Abdominal CT with intravenous contrast, axial plane, 100 kVp, kernel I40f. Slice 261/470 from the bottom of the scan; thickness 2.00 mm; pixel size 0.824 mm.
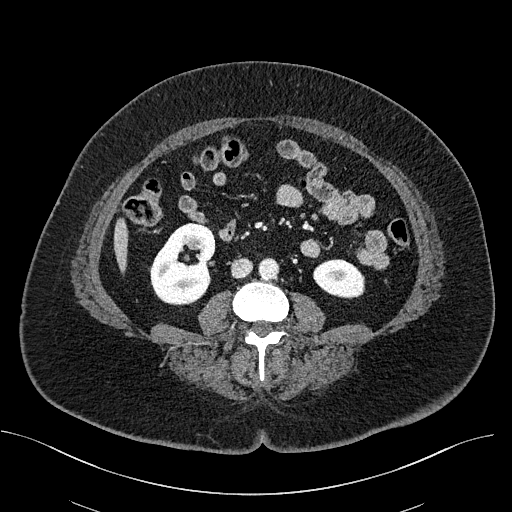
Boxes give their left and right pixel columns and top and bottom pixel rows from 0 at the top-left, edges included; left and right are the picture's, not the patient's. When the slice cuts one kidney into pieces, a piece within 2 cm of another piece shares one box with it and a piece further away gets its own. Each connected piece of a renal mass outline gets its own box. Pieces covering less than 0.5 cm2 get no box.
Boxed on this slice (two kidney boxes), listed by box centre from the image's left to its right: (1) Box with left 149, top 222, right 215, bottom 305: right kidney (outlined area 4,015 px, about 27.3 cm2). (2) Left kidney in the box with left 313, top 259, right 365, bottom 298 (outlined area 1,591 px, about 10.8 cm2). No renal mass is outlined on this slice.